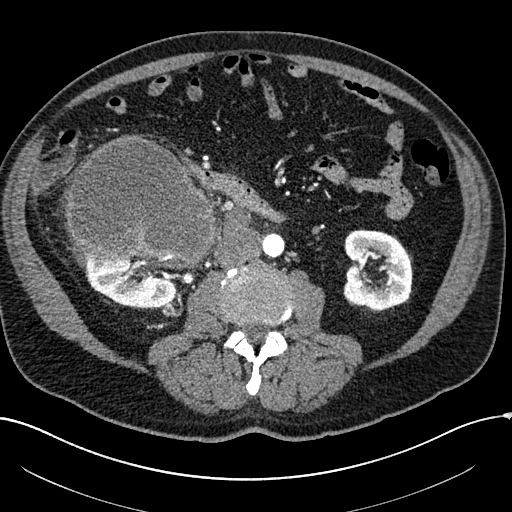
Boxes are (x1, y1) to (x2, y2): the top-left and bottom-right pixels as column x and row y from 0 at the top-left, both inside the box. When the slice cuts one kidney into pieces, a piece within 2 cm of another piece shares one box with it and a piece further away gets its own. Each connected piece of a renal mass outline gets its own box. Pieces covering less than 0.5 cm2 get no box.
Slice 80/304 of a contrast-enhanced abdominal CT in the arterial phase, counting up from the lowest; pixel size 0.809 mm, slice thickness 2.00 mm. Three boxes on this slice (two kidney boxes and one renal mass box), listed by box centre from the image's left to its right. (1) Box (83, 255) to (178, 308): right kidney (outlined area 3,685 px, about 24.1 cm2). (2) Box (65, 136) to (218, 267): right renal mass (outlined area 15,225 px, about 99.5 cm2). (3) Box (343, 229) to (412, 310): left kidney (outlined area 4,428 px, about 29.0 cm2).
Scan settings: 100 kVp, I30f reconstruction kernel.